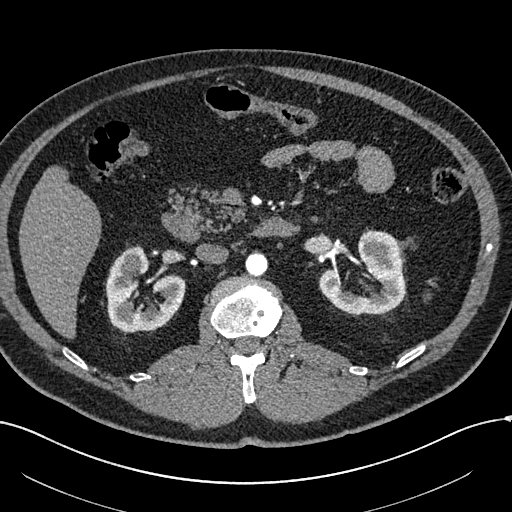
Arterial-phase contrast-enhanced abdominal CT, axial slice 350 of 602 (counted from the lowest slice); tube voltage 120 kVp, convolution kernel I30f; slices 1.00 mm thick, 0.799 mm per pixel.
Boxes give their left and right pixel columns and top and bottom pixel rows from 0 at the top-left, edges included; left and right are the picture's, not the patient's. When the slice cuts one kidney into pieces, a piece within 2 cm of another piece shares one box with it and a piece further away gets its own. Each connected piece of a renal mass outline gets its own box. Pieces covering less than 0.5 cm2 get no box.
Boxed on this slice (two kidney boxes and one renal mass box), listed by box centre from the image's left to its right: (1) Right renal mass, the box with left 120, top 253, right 140, bottom 276 (outlined area 410 px, about 2.6 cm2). (2) Right kidney, the box with left 106, top 244, right 184, bottom 332 (outlined area 4,136 px, about 26.4 cm2). (3) Left kidney, the box with left 319, top 230, right 406, bottom 314 (outlined area 4,597 px, about 29.3 cm2).